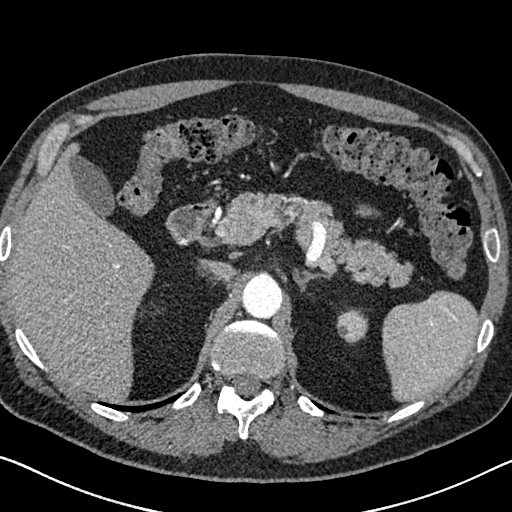
One axial slice (488 of 626, counting up from the lowest) of an arterial-phase abdominal CT acquired with 120 kVp, kernel I30f; each pixel is 0.703 mm and the slice is 1.00 mm thick.
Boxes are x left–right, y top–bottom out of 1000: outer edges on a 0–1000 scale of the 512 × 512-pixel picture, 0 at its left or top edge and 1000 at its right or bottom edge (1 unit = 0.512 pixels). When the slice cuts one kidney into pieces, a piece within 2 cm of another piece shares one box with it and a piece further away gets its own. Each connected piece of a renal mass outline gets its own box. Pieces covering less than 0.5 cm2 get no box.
Left kidney, box x 656–721, y 602–672 out of 1000 (outlined area 864 px, about 4.3 cm2). This slice carries no renal mass outline.